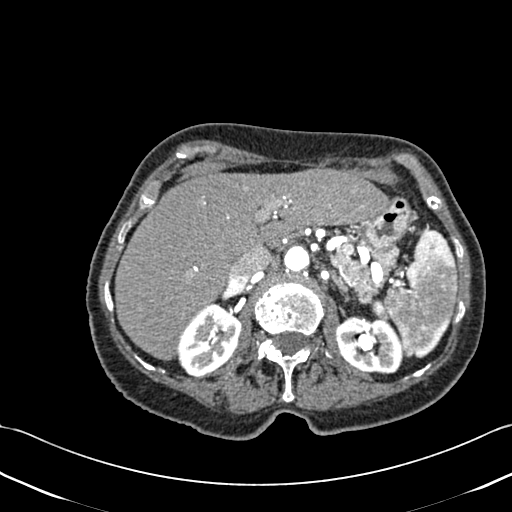
Axial slice 303 of 433 of a contrast-enhanced abdominal CT (slice 1 is the lowest), 120 kVp, kernel B30f; 1.00 mm slice thickness and 0.672 mm pixels.
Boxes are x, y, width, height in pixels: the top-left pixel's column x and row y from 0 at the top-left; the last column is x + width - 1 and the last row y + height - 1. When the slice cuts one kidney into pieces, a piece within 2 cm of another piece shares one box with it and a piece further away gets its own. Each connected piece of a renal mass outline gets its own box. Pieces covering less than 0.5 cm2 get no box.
Two kidney boxes on this slice; by box centre, from the image's left to its right: (1) Right kidney at x 177, y 303, width 65, height 74 (outlined area 3,324 px, about 15.0 cm2). (2) Box x 335, y 316, width 69, height 59: left kidney (outlined area 3,113 px, about 14.1 cm2). No renal mass is outlined on this slice.